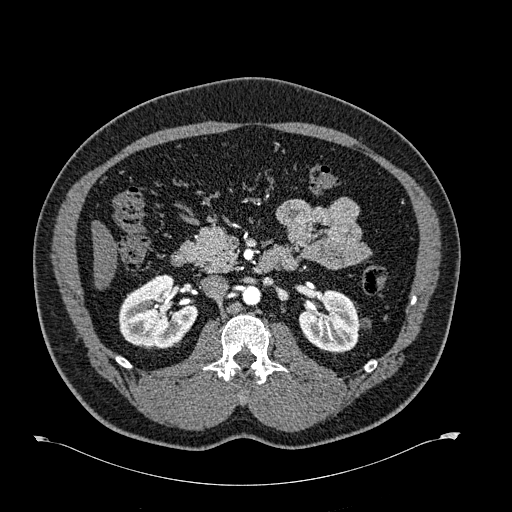
One axial slice (374 of 723, counting up from the lowest) of an arterial-phase abdominal CT acquired with 120 kVp, kernel B30f; each pixel is 0.895 mm and the slice is 1.00 mm thick.
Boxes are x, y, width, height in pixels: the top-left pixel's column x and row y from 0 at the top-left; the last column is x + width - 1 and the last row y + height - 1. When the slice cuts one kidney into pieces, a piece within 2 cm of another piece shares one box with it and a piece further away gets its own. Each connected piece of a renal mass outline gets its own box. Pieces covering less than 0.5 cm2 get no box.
Two boxes on this slice (two kidney boxes), listed by box centre from the image's left to its right. (1) Right kidney, box x 118, y 274, width 81, height 76 (outlined area 4,246 px, about 34.0 cm2). (2) Box x 298, y 290, width 73, height 63: left kidney (outlined area 2,989 px, about 23.9 cm2). No renal mass is outlined on this slice.